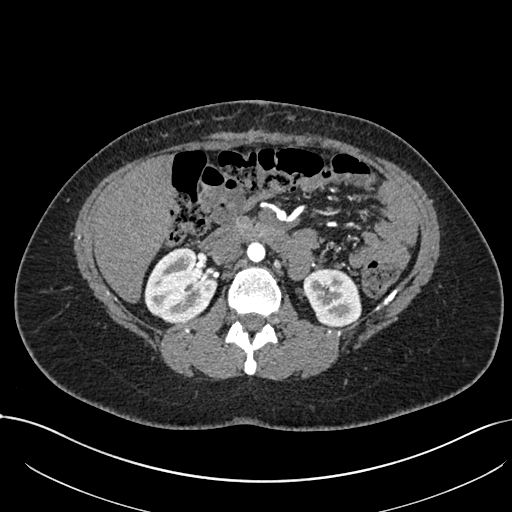
Abdominal CT with intravenous contrast, arterial phase, axial plane, 120 kVp, kernel I30f. Slice 422/738 from the bottom of the scan; thickness 1.00 mm; pixel size 0.789 mm.
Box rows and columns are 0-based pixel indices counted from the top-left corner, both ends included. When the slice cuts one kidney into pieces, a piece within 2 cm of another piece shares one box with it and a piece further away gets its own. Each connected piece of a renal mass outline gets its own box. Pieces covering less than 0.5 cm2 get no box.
Boxed on this slice (two kidney boxes), listed by box centre from the image's left to its right: (1) Right kidney at rows 247–322, columns 144–217 (outlined area 4,059 px, about 25.3 cm2). (2) Left kidney, box rows 268–326, columns 303–361 (outlined area 2,659 px, about 16.6 cm2). This slice carries no renal mass outline.